Arterial-phase contrast-enhanced abdominal CT, axial slice 263 of 349 (counted from the lowest slice); tube voltage 120 kVp, convolution kernel STANDARD; slices 1.25 mm thick, 0.742 mm per pixel.
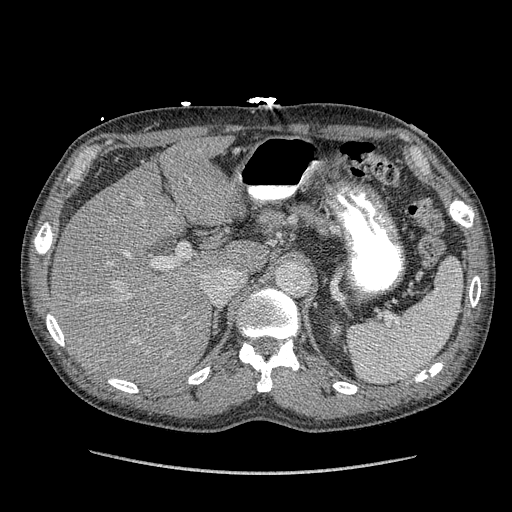
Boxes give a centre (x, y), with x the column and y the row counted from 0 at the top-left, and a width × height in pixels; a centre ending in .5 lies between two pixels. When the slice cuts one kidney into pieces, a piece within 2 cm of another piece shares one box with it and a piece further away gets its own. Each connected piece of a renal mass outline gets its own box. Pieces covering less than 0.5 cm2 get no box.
Left kidney in a box with centre (335.5, 330), 10 × 13 pixels (outlined area 106 px, about 0.6 cm2). No renal mass is outlined on this slice.